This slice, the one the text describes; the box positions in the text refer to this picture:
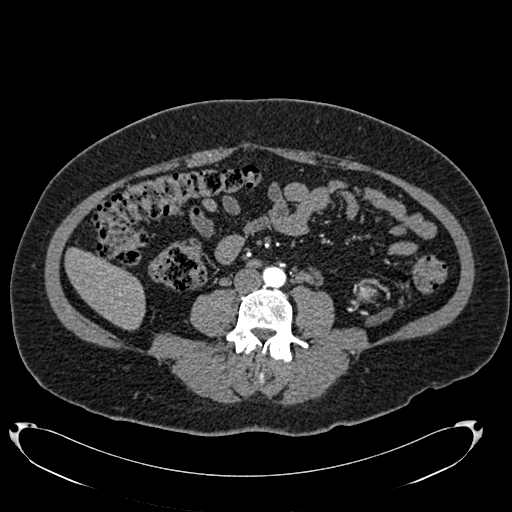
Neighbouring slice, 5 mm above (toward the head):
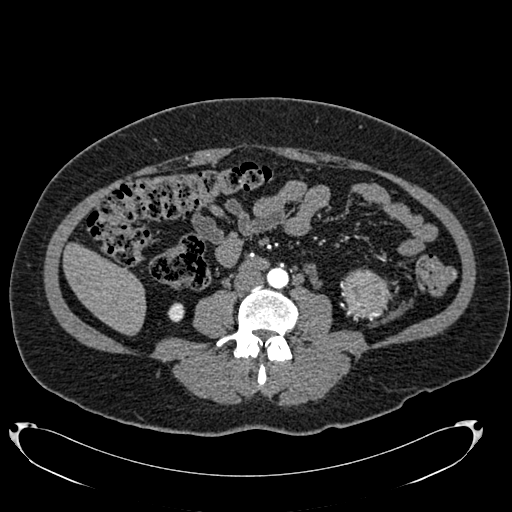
Arterial-phase contrast-enhanced abdominal CT, axial slice 306 of 634 (counted from the lowest slice); tube voltage 120 kVp, convolution kernel B20f; slices 1.00 mm thick, 0.838 mm per pixel.
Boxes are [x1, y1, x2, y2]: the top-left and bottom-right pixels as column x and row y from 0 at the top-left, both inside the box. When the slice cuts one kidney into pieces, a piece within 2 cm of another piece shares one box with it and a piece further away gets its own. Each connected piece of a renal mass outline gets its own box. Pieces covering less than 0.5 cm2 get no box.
Left renal mass, box [356, 280, 374, 301] (outlined area 291 px, about 2.0 cm2); no kidney is outlined on this slice, but the same outlined renal mass comes within 1 cm of the kidney on another slice. This slice is near the end of the left renal mass toward the feet, so the slice 5 mm above it is shown as well; the boxes refer to this slice only.